One axial slice (361 of 532, counting up from the lowest) of an arterial-phase abdominal CT acquired with 120 kVp, kernel B30f; each pixel is 0.713 mm and the slice is 1.00 mm thick.
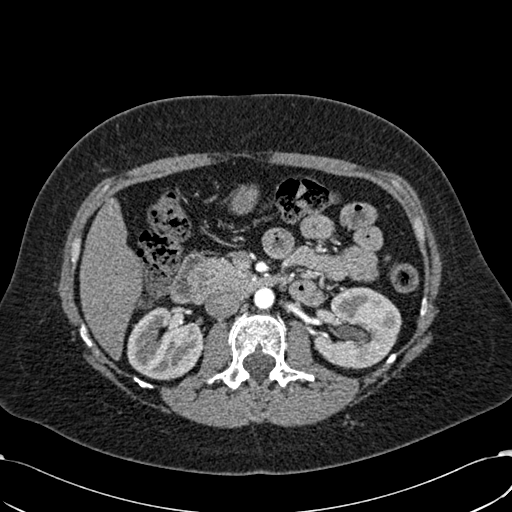
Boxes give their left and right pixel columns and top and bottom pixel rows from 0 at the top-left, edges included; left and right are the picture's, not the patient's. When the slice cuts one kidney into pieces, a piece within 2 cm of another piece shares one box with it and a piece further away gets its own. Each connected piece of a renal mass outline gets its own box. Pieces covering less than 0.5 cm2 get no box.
Boxed on this slice (two kidney boxes), listed by box centre from the image's left to its right: (1) Right kidney in the box with left 127, top 307, right 203, bottom 380 (outlined area 4,192 px, about 21.3 cm2). (2) Left kidney in the box with left 313, top 287, right 401, bottom 369 (outlined area 5,302 px, about 26.9 cm2). No renal mass outline on this slice.